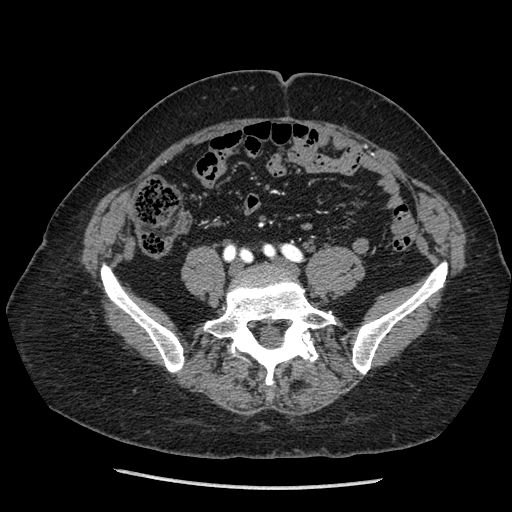
One axial slice (45 of 233, counting up from the lowest) of an arterial-phase abdominal CT acquired with 120 kVp, kernel STANDARD; each pixel is 0.703 mm and the slice is 1.25 mm thick.
No kidney and no renal mass is outlined on this slice; the outlines in this scan cover only the kidneys and the renal masses, so nothing is said about any other organ.